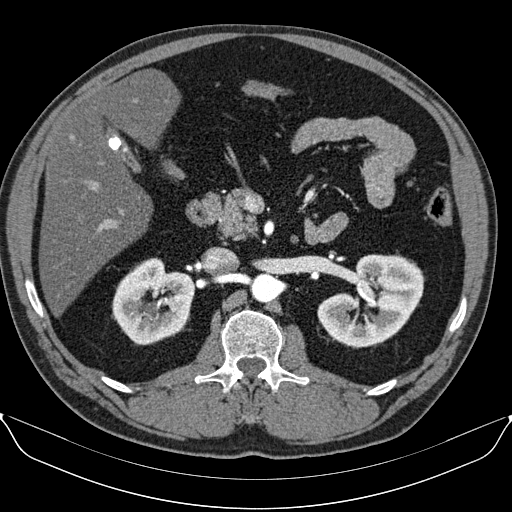
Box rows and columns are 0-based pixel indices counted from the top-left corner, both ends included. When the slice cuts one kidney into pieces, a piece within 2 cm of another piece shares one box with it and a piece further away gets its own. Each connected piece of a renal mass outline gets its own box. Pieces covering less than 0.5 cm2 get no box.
Arterial-phase contrast-enhanced abdominal CT, axial slice 58 of 96 (counted from the lowest slice); 3.00 mm thick, 0.781 mm per pixel. Boxed on this slice (two kidney boxes), listed by box centre from the image's left to its right: (1) Right kidney, box rows 257–345, columns 111–195 (outlined area 5,206 px, about 31.8 cm2). (2) Left kidney at rows 253–348, columns 317–424 (outlined area 6,804 px, about 41.5 cm2). This slice carries no renal mass outline.
Acquired at 130 kVp and reconstructed with the B30s kernel.